Abdominal CT with intravenous contrast, arterial phase, axial plane, 120 kVp, kernel I30f. Slice 492/738 from the bottom of the scan; thickness 1.00 mm; pixel size 0.789 mm.
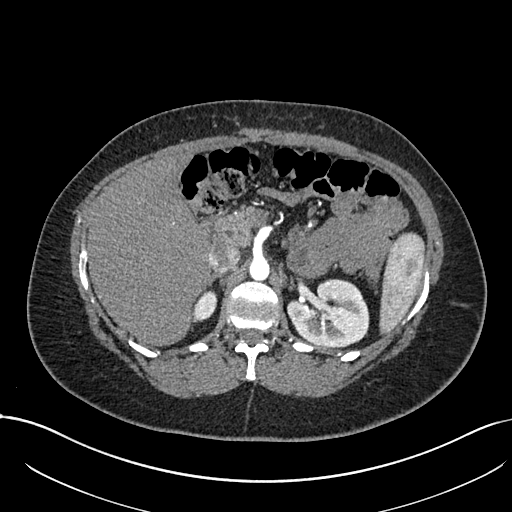
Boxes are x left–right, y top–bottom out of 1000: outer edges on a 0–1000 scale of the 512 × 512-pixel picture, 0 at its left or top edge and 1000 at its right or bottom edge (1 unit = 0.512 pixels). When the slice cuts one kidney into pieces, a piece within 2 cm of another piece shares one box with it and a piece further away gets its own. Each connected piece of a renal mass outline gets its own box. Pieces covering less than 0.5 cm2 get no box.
Two boxes on this slice (two kidney boxes), listed by box centre from the image's left to its right. (1) Right kidney at x 375–424, y 566–631 out of 1000 (outlined area 579 px, about 3.6 cm2). (2) Box x 561–723, y 545–678 out of 1000: left kidney (outlined area 4,274 px, about 26.6 cm2). This slice carries no renal mass outline.